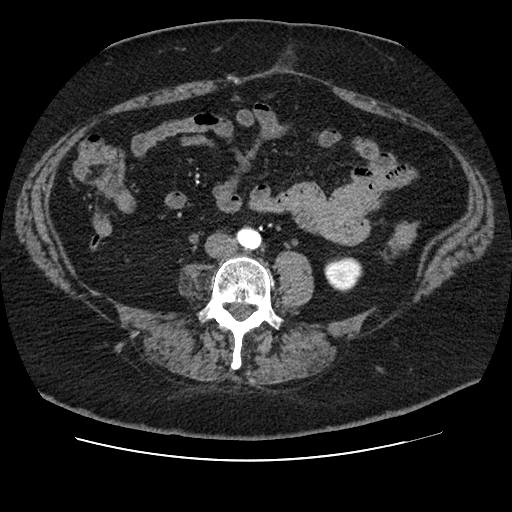
Axial slice 21 of 106 of a contrast-enhanced abdominal CT in the arterial phase (slice 1 is the lowest), 120 kVp, kernel STANDARD; 2.50 mm slice thickness and 0.742 mm pixels.
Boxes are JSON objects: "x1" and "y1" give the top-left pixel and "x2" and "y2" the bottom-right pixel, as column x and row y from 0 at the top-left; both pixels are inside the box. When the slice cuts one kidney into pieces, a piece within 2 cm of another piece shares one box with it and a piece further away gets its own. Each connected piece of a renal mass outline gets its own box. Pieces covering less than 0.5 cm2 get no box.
Box {"x1": 324, "y1": 257, "x2": 362, "y2": 291}: left kidney (outlined area 1,025 px, about 5.6 cm2). No renal mass is outlined on this slice.